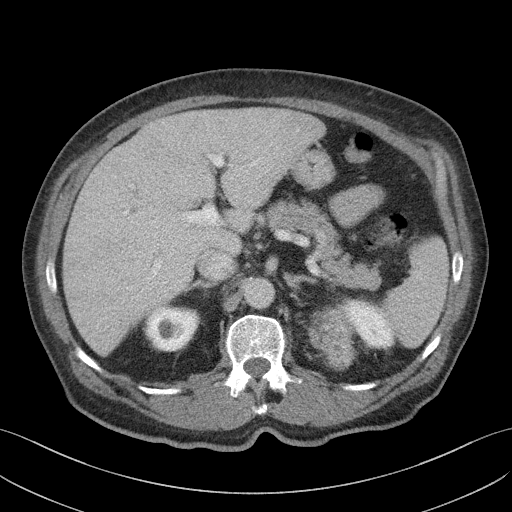
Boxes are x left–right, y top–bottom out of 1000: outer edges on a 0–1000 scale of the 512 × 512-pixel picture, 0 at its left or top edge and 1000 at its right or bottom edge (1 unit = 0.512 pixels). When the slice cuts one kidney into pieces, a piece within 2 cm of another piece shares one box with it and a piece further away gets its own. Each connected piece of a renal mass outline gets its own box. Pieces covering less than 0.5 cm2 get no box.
This is axial slice 80 of 103 (slice 1 is the lowest) of an abdominal CT with contrast; each pixel is 0.742 mm and the slice is 4.00 mm thick. Two kidney boxes and one renal mass box on this slice; by box centre, from the image's left to its right: (1) Right kidney, box x 281–391, y 596–688 out of 1000 (outlined area 2,029 px, about 11.2 cm2). (2) Left renal mass at x 600–699, y 594–723 out of 1000 (outlined area 2,387 px, about 13.1 cm2). (3) Left kidney at x 652–773, y 584–684 out of 1000 (outlined area 1,712 px, about 9.4 cm2).
Tube voltage 100 kVp; convolution kernel I41f.